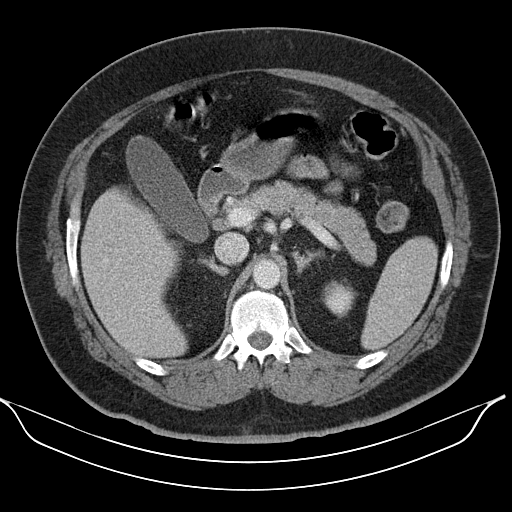
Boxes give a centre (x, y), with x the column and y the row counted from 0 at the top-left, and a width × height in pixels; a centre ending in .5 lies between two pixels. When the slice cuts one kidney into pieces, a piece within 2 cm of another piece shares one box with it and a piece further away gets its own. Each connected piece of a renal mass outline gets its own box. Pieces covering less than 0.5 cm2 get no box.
Slice 79/110 of a contrast-enhanced abdominal CT in the arterial phase, counting up from the lowest; pixel size 0.836 mm, slice thickness 5.00 mm. Left kidney in a box with centre (339, 298.5), 37 × 38 pixels (outlined area 902 px, about 6.3 cm2). No renal mass outline on this slice.
Scan settings: 130 kVp, B30s reconstruction kernel.